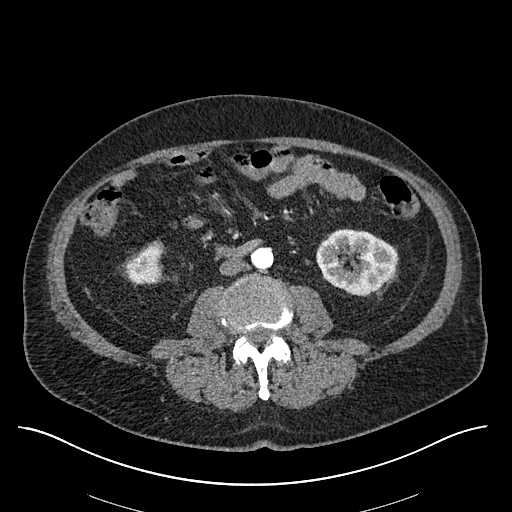
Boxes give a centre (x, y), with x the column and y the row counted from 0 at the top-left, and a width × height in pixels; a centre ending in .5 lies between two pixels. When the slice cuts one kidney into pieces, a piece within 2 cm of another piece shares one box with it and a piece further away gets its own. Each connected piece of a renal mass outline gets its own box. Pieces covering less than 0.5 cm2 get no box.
This is axial slice 254 of 670 (slice 1 is the lowest) of an arterial-phase abdominal CT with contrast; each pixel is 0.861 mm and the slice is 1.00 mm thick. Boxed on this slice (two kidney boxes), listed by box centre from the image's left to its right: (1) Right kidney in a box with centre (144, 262), 41 × 45 pixels (outlined area 1,257 px, about 9.3 cm2). (2) Left kidney, box centre (356.5, 262), 82 × 69 pixels (outlined area 4,131 px, about 30.6 cm2). No renal mass outline on this slice.
Scan settings: 120 kVp, I30f reconstruction kernel.